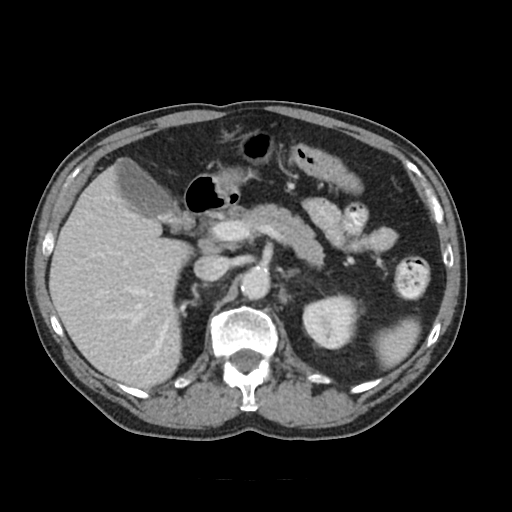
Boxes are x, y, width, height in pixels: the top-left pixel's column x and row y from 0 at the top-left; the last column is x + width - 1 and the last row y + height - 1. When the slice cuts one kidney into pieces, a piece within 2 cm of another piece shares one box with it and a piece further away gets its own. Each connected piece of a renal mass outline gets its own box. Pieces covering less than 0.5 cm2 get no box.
Contrast-enhanced abdominal CT, axial slice 68 of 91 (counted from the lowest slice); 5.00 mm thick, 0.766 mm per pixel. Left kidney, box x 302, y 295, width 58, height 55 (outlined area 2,493 px, about 14.6 cm2). This slice carries no renal mass outline.
Acquired at 120 kVp and reconstructed with the FC18 kernel.